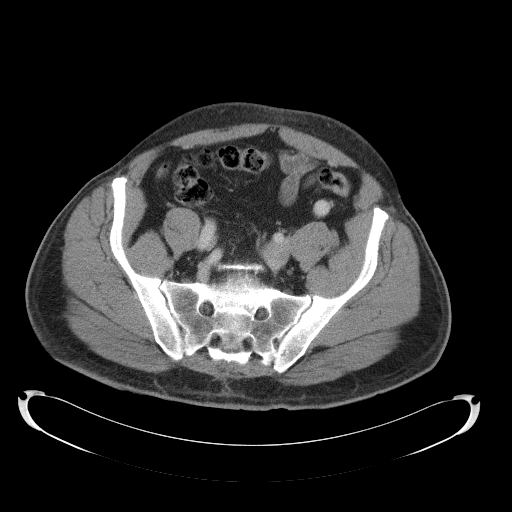
This is axial slice 38 of 145 (slice 1 is the lowest) of an abdominal CT with contrast; each pixel is 0.859 mm and the slice is 5.00 mm thick. Neither a kidney nor a renal mass is outlined here. Only kidneys and renal masses are outlined anywhere in this scan; other structures are never outlined.
Scan settings: 120 kVp, B41f reconstruction kernel.